Abdominal CT with intravenous contrast, arterial phase, axial plane, 120 kVp, kernel FC12. Slice 66/117 from the bottom of the scan; thickness 3.00 mm; pixel size 0.518 mm.
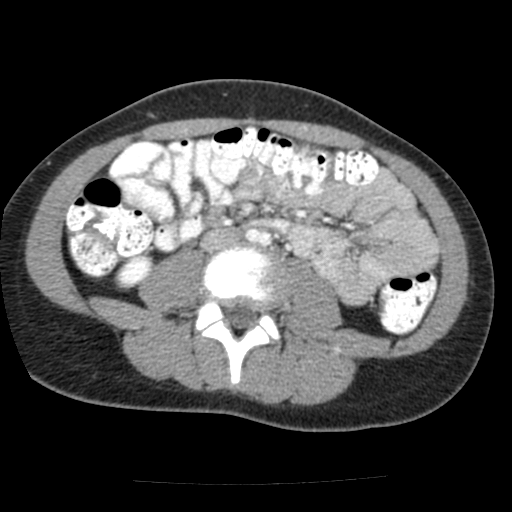
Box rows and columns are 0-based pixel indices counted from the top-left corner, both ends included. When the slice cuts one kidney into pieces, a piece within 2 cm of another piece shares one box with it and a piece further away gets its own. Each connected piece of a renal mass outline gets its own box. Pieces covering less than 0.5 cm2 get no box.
Right kidney at rows 255–290, columns 113–153 (outlined area 1,009 px, about 2.7 cm2). No renal mass is outlined on this slice.